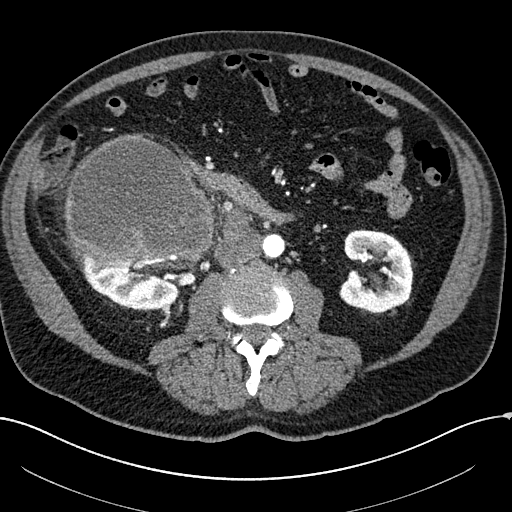
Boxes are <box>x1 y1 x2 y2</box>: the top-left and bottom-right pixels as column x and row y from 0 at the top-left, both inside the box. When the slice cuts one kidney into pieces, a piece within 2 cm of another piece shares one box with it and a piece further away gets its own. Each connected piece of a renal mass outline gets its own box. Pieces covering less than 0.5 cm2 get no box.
This is axial slice 83 of 304 (slice 1 is the lowest) of an arterial-phase abdominal CT with contrast; each pixel is 0.809 mm and the slice is 2.00 mm thick. Two kidney boxes and one renal mass box on this slice; by box centre, from the image's left to its right: (1) At <box>81 258 178 310</box>: right kidney (outlined area 3,544 px, about 23.2 cm2). (2) At <box>64 134 214 268</box>: right renal mass (outlined area 15,656 px, about 102.4 cm2). (3) At <box>338 229 413 314</box>: left kidney (outlined area 4,668 px, about 30.5 cm2).
Acquired at 100 kVp and reconstructed with the I30f kernel.